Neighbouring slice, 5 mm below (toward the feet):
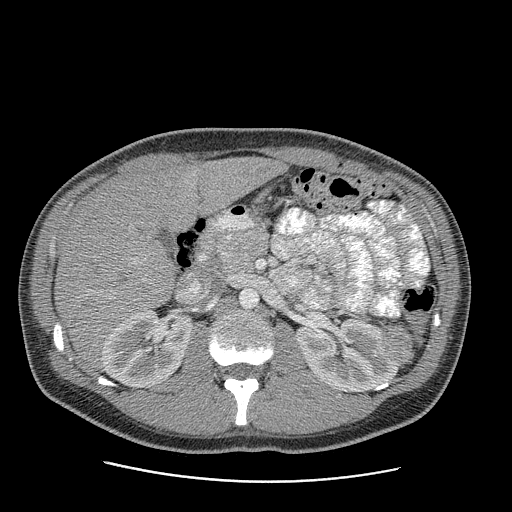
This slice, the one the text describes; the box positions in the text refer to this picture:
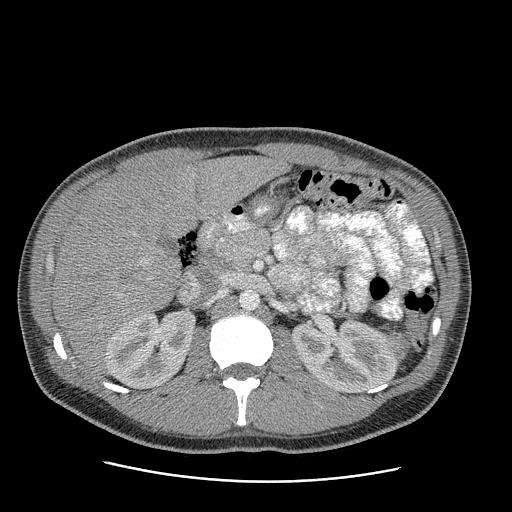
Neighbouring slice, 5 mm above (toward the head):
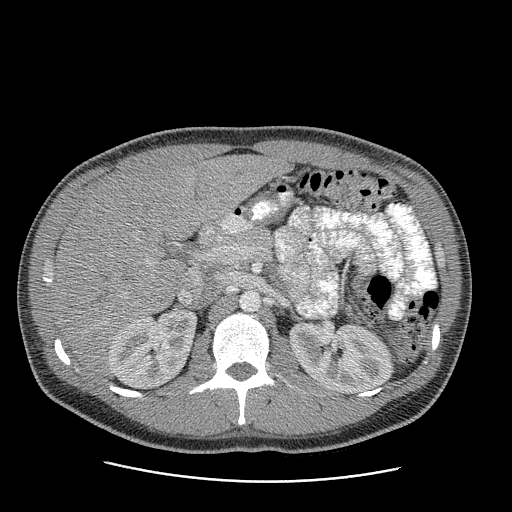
Axial slice 156 of 199 of a contrast-enhanced abdominal CT in the arterial phase (slice 1 is the lowest), 120 kVp, kernel STANDARD; 2.50 mm slice thickness and 0.789 mm pixels.
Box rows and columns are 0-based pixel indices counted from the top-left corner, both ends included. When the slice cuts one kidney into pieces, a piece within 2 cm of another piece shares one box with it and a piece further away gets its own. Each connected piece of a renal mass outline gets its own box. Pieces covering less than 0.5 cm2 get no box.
Two kidney boxes and one renal mass box on this slice; by box centre, from the image's left to its right: (1) Right kidney at rows 308–389, columns 105–196 (outlined area 5,470 px, about 34.1 cm2). (2) Left kidney at rows 318–393, columns 291–399 (outlined area 6,011 px, about 37.4 cm2). (3) Box rows 332–363, columns 383–409: left renal mass (outlined area 492 px, about 3.1 cm2). This slice is near the end of the left renal mass toward the head, so the slices 5 mm below and 5 mm above it are shown as well; the boxes refer to this slice only.